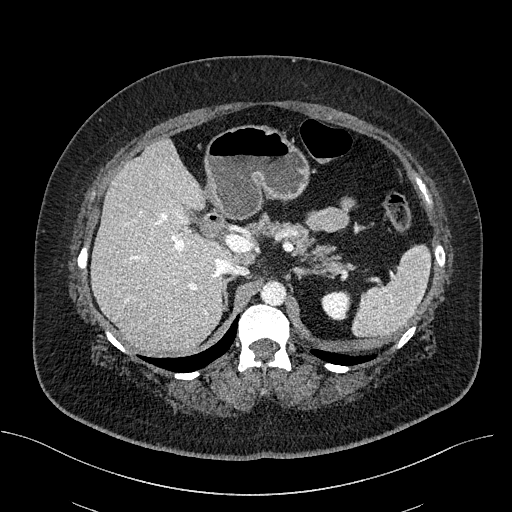
Contrast-enhanced abdominal CT, axial slice 344 of 470 (counted from the lowest slice); tube voltage 100 kVp, convolution kernel I40f; slices 2.00 mm thick, 0.824 mm per pixel.
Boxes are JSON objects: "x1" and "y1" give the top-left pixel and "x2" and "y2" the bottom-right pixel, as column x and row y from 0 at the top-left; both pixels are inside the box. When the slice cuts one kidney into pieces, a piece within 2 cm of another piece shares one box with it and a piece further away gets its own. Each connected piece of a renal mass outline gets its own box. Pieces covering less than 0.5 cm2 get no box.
Left kidney at {"x1": 321, "y1": 291, "x2": 349, "y2": 320} (outlined area 696 px, about 4.7 cm2). No renal mass is outlined on this slice.